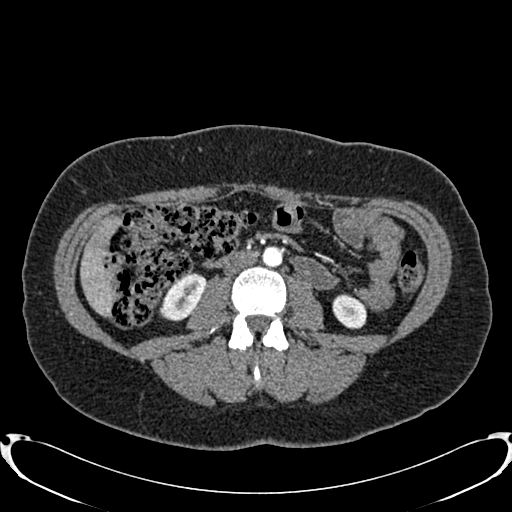
Axial slice 384 of 719 of a contrast-enhanced abdominal CT in the arterial phase (slice 1 is the lowest), 120 kVp, kernel B20f; 1.00 mm slice thickness and 0.766 mm pixels.
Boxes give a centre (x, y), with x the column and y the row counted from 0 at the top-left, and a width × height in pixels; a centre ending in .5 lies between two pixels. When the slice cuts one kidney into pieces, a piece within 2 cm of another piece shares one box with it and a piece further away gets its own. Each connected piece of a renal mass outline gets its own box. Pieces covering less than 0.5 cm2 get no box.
Boxed on this slice (two kidney boxes), listed by box centre from the image's left to its right: (1) Right kidney in a box with centre (182, 296.5), 47 × 50 pixels (outlined area 1,505 px, about 8.8 cm2). (2) Left kidney, box centre (349, 311), 35 × 37 pixels (outlined area 950 px, about 5.6 cm2). No renal mass outline on this slice.